Axial slice 374 of 705 of a contrast-enhanced abdominal CT in the arterial phase (slice 1 is the lowest), 120 kVp, kernel I30f; 1.00 mm slice thickness and 0.703 mm pixels.
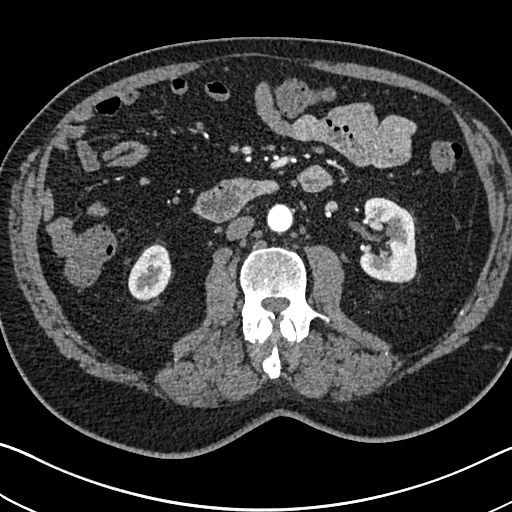
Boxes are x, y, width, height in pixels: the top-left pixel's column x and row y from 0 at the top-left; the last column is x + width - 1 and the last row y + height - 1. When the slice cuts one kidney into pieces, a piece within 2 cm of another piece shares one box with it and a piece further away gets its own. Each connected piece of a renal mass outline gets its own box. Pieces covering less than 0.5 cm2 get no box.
Boxed on this slice (two kidney boxes), listed by box centre from the image's left to its right: (1) Right kidney, box x 128, y 243, width 44, height 58 (outlined area 1,858 px, about 9.2 cm2). (2) Left kidney, box x 359, y 197, width 59, height 87 (outlined area 3,979 px, about 19.7 cm2). This slice carries no renal mass outline.